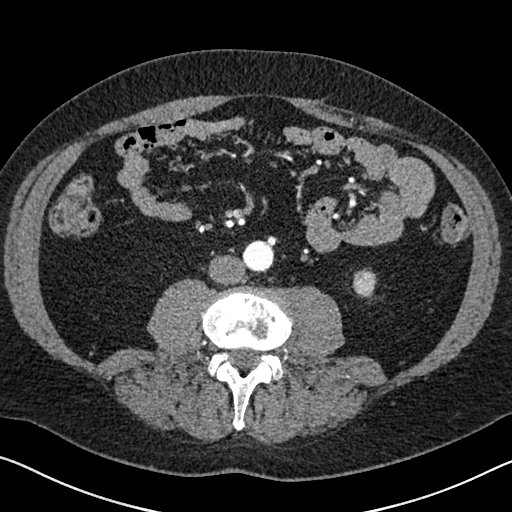
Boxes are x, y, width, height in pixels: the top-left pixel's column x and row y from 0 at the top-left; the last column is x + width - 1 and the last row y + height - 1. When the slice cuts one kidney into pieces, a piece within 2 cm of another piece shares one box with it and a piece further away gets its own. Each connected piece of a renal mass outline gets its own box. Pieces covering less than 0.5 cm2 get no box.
Arterial-phase contrast-enhanced abdominal CT, axial slice 280 of 626 (counted from the lowest slice); 1.00 mm thick, 0.703 mm per pixel. Box x 352, y 268, width 26, height 31: left kidney (outlined area 579 px, about 2.9 cm2). No renal mass is outlined on this slice.
Acquired at 120 kVp and reconstructed with the I30f kernel.